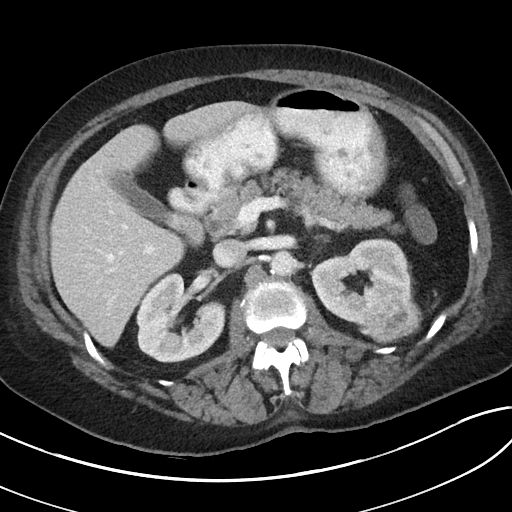
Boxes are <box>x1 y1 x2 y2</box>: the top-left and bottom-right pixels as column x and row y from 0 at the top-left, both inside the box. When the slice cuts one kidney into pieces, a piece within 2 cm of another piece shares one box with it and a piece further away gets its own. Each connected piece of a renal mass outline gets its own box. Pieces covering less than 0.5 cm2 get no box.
This is axial slice 61 of 80 (slice 1 is the lowest) of an abdominal CT with contrast; each pixel is 0.703 mm and the slice is 5.00 mm thick. Two kidney boxes and one renal mass box on this slice; by box centre, from the image's left to its right: (1) At <box>136 272 225 362</box>: right kidney (outlined area 5,619 px, about 27.8 cm2). (2) Left kidney: <box>311 238 410 324</box> (outlined area 5,304 px, about 26.2 cm2). (3) Left renal mass: <box>364 295 419 342</box> (outlined area 2,072 px, about 10.2 cm2).
Scan settings: 100 kVp, I40f reconstruction kernel.